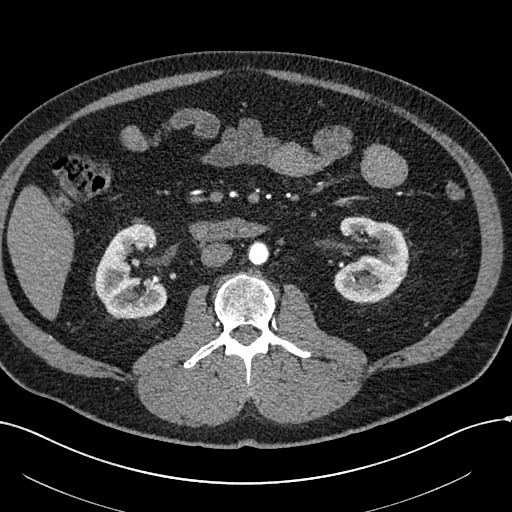
Axial slice 292 of 602 of a contrast-enhanced abdominal CT in the arterial phase (slice 1 is the lowest), 120 kVp, kernel I30f; 1.00 mm slice thickness and 0.799 mm pixels.
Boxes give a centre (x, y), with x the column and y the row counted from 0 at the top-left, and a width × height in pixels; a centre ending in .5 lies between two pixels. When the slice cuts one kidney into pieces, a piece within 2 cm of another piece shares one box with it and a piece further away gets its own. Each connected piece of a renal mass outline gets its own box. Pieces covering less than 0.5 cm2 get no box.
Boxed on this slice (two kidney boxes), listed by box centre from the image's left to its right: (1) Right kidney, box centre (130.5, 271), 76 × 97 pixels (outlined area 4,818 px, about 30.7 cm2). (2) Box centre (371, 259), 77 × 87 pixels: left kidney (outlined area 4,808 px, about 30.7 cm2). No renal mass is outlined on this slice.